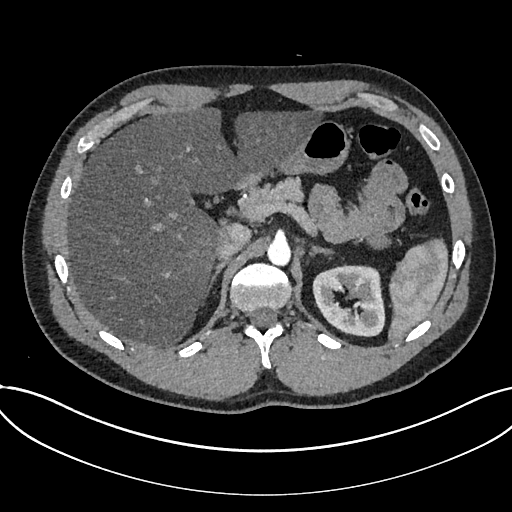
Abdominal CT with intravenous contrast, arterial phase, axial plane, 120 kVp, kernel I30f. Slice 524/735 from the bottom of the scan; thickness 1.00 mm; pixel size 0.789 mm.
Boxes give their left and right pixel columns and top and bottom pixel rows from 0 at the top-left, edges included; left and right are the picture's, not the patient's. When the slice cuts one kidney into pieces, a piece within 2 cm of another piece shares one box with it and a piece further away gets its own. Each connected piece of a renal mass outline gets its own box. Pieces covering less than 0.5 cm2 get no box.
Box with left 312, top 264, right 385, bottom 336: kidney (outlined area 4,065 px, about 25.3 cm2). No renal mass is outlined on this slice.